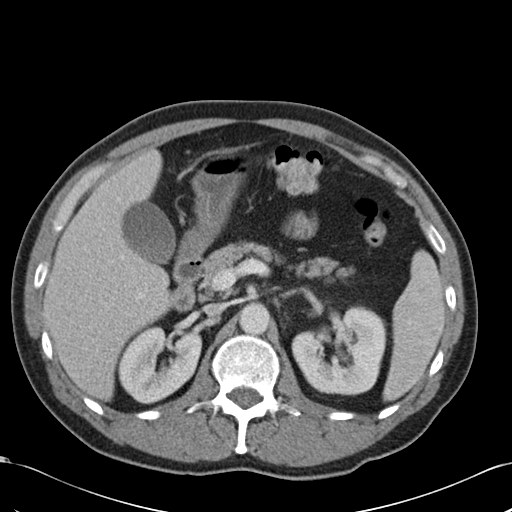
Abdominal CT with intravenous contrast, arterial phase, axial plane, 120 kVp, kernel B30f. Slice 70/99 from the bottom of the scan; thickness 5.00 mm; pixel size 0.693 mm.
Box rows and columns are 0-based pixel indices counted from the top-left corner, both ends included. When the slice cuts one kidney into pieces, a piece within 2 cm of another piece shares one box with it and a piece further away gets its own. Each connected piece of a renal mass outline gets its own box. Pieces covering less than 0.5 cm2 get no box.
Two boxes on this slice (two kidney boxes), listed by box centre from the image's left to its right. (1) Right kidney at rows 326–404, columns 118–202 (outlined area 4,741 px, about 22.8 cm2). (2) Left kidney, box rows 305–395, columns 291–386 (outlined area 6,233 px, about 30.0 cm2). No renal mass outline on this slice.